Abdominal CT with intravenous contrast, axial plane, 120 kVp, kernel I41f. Slice 110/153 from the bottom of the scan; thickness 3.00 mm; pixel size 0.893 mm.
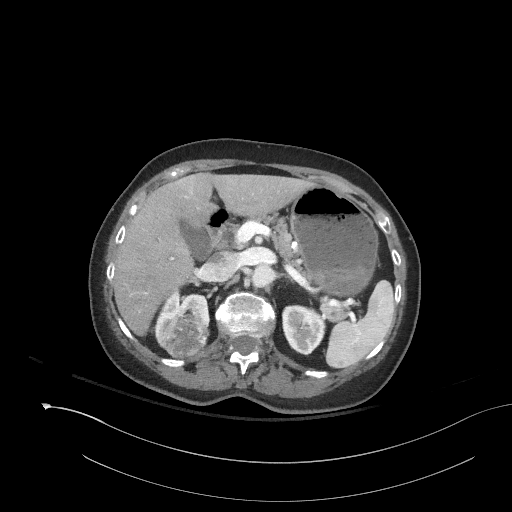
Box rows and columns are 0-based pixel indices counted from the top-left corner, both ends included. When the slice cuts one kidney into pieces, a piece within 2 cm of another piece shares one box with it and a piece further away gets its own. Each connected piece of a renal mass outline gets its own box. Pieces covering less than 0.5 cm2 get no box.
Three boxes on this slice (two kidney boxes and one renal mass box), listed by box centre from the image's left to its right. (1) Right kidney at rows 289–342, columns 155–208 (outlined area 1,400 px, about 11.2 cm2). (2) Right renal mass at rows 316–358, columns 159–208 (outlined area 1,468 px, about 11.7 cm2). (3) Box rows 304–355, columns 281–326: left kidney (outlined area 1,748 px, about 13.9 cm2).